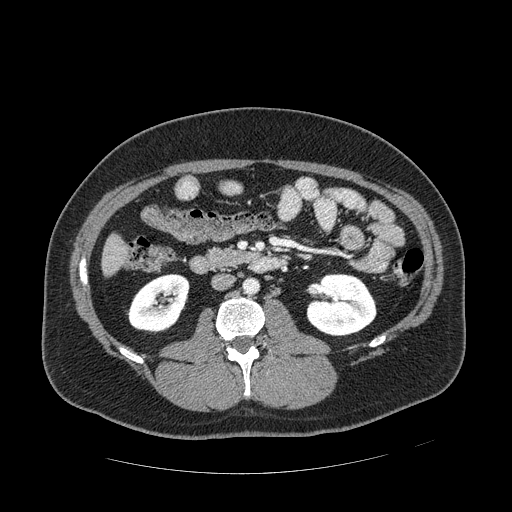
Axial slice 243 of 389 of a contrast-enhanced abdominal CT in the arterial phase (slice 1 is the lowest), 120 kVp, kernel STANDARD; 1.25 mm slice thickness and 0.869 mm pixels.
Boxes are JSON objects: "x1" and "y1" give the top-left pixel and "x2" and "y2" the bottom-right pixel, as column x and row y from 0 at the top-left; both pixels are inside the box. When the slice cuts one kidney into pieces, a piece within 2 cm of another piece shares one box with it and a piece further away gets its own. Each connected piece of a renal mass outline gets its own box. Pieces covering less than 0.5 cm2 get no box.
Boxed on this slice (two kidney boxes), listed by box centre from the image's left to its right: (1) Right kidney at {"x1": 126, "y1": 273, "x2": 189, "y2": 333} (outlined area 2,727 px, about 20.6 cm2). (2) Left kidney at {"x1": 306, "y1": 273, "x2": 376, "y2": 336} (outlined area 3,482 px, about 26.3 cm2). No renal mass outline on this slice.